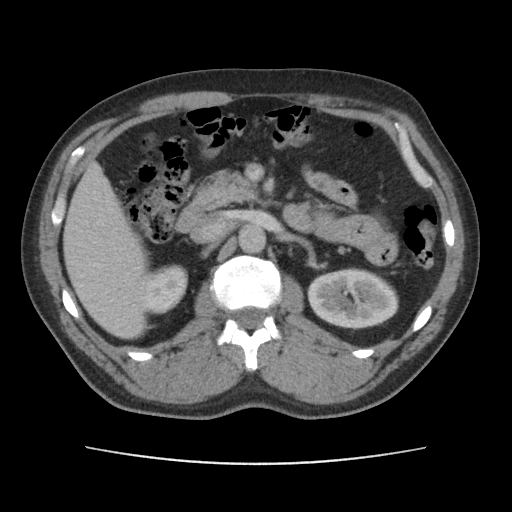
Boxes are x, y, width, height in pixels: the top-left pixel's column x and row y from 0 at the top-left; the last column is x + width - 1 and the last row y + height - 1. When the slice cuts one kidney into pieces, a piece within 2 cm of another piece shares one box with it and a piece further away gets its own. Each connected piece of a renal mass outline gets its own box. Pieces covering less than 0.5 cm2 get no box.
This is axial slice 71 of 101 (slice 1 is the lowest) of an arterial-phase abdominal CT with contrast; each pixel is 0.755 mm and the slice is 5.00 mm thick. Two boxes on this slice (two kidney boxes), listed by box centre from the image's left to its right. (1) Right kidney at x 143, y 264, width 45, height 51 (outlined area 1,741 px, about 9.9 cm2). (2) Box x 307, y 267, width 92, height 63: left kidney (outlined area 4,418 px, about 25.2 cm2). This slice carries no renal mass outline.
Tube voltage 120 kVp; convolution kernel FC14.